Abdominal CT with intravenous contrast, axial plane, 100 kVp, kernel I40f. Slice 63/101 from the bottom of the scan; thickness 5.00 mm; pixel size 0.684 mm.
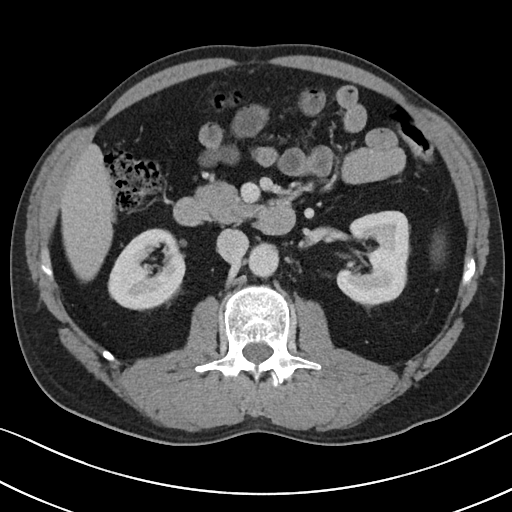
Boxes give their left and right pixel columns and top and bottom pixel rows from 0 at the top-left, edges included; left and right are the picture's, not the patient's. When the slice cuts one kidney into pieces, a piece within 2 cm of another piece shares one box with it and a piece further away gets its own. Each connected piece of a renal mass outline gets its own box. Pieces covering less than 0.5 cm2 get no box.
Two kidney boxes on this slice; by box centre, from the image's left to its right: (1) Right kidney in the box with left 107, top 228, right 185, bottom 310 (outlined area 4,590 px, about 21.4 cm2). (2) Left kidney in the box with left 335, top 210, right 409, bottom 306 (outlined area 5,246 px, about 24.5 cm2). This slice carries no renal mass outline.